Arterial-phase contrast-enhanced abdominal CT, axial slice 286 of 1059 (counted from the lowest slice); tube voltage 100 kVp, convolution kernel I30f; slices 1.00 mm thick, 0.811 mm per pixel.
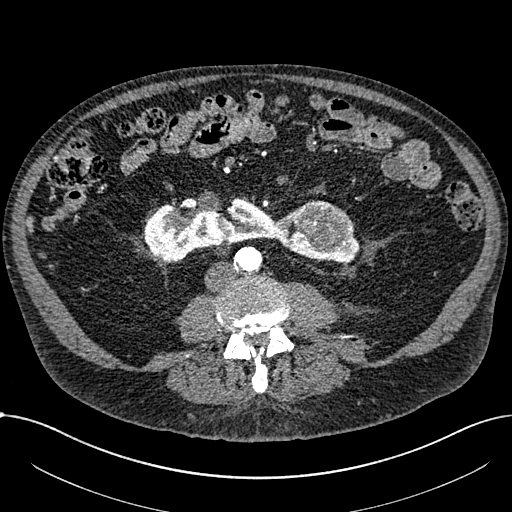
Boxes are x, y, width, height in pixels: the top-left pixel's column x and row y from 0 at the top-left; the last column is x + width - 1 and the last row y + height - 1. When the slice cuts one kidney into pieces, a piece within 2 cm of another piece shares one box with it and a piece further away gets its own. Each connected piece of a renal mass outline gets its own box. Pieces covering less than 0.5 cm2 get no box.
Boxed on this slice (one kidney box and one renal mass box), listed by box centre from the image's left to its right: (1) Kidney crossing the body midline, box x 143, y 196, width 217, height 68 (outlined area 7,777 px, about 51.1 cm2). (2) Renal mass, box x 301, y 200, width 51, height 51 (outlined area 1,951 px, about 12.8 cm2).